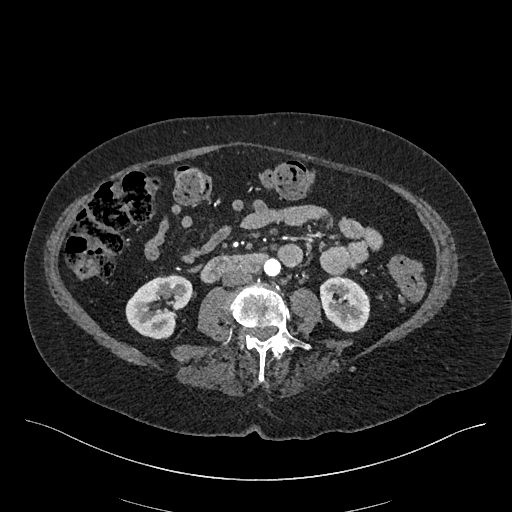
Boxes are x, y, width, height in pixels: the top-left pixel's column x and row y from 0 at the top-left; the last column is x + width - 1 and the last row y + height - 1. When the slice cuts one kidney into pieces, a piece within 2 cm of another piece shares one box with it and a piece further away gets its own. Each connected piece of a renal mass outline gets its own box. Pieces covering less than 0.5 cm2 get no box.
Arterial-phase contrast-enhanced abdominal CT, axial slice 190 of 548 (counted from the lowest slice); 1.00 mm thick, 0.852 mm per pixel. Two kidney boxes on this slice; by box centre, from the image's left to its right: (1) Right kidney at x 125, y 274, width 68, height 66 (outlined area 3,031 px, about 22.0 cm2). (2) Left kidney at x 319, y 276, width 52, height 57 (outlined area 2,196 px, about 15.9 cm2). No renal mass is outlined on this slice.
Acquired at 120 kVp and reconstructed with the I26f kernel.